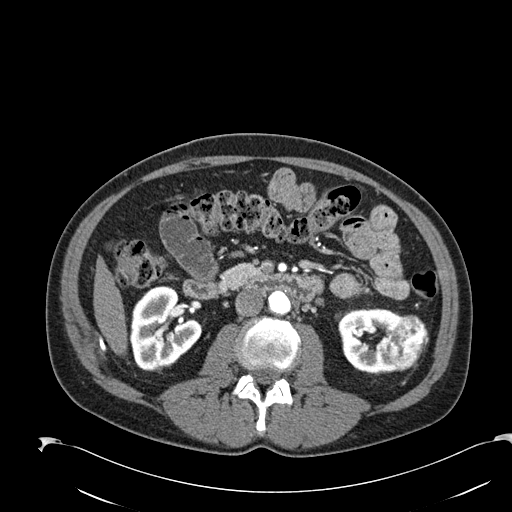
Axial slice 102 of 274 of a contrast-enhanced abdominal CT in the arterial phase (slice 1 is the lowest), 120 kVp, kernel B30f; 2.00 mm slice thickness and 0.809 mm pixels.
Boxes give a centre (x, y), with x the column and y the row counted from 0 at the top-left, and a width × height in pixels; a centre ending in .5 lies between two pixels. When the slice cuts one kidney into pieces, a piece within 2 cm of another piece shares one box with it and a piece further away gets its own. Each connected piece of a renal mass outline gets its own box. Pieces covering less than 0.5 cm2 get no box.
Two kidney boxes and one renal mass box on this slice; by box centre, from the image's left to its right: (1) Right kidney in a box with centre (165.5, 328), 74 × 85 pixels (outlined area 4,370 px, about 28.6 cm2). (2) Left kidney in a box with centre (369.5, 341), 64 × 67 pixels (outlined area 2,844 px, about 18.6 cm2). (3) Left renal mass in a box with centre (405, 343), 47 × 57 pixels (outlined area 1,823 px, about 11.9 cm2).